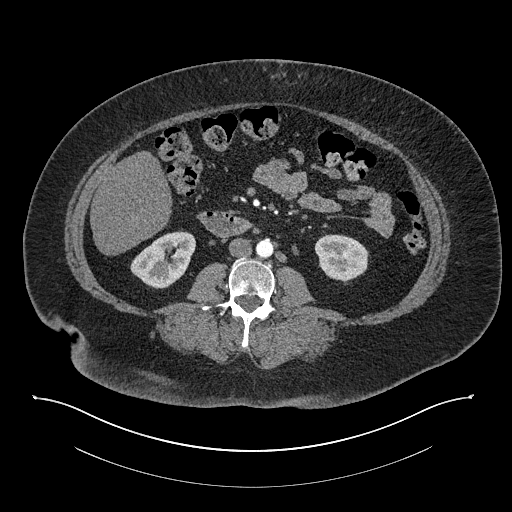
Arterial-phase contrast-enhanced abdominal CT, axial slice 384 of 673 (counted from the lowest slice); tube voltage 140 kVp, convolution kernel I30f; slices 1.00 mm thick, 0.957 mm per pixel.
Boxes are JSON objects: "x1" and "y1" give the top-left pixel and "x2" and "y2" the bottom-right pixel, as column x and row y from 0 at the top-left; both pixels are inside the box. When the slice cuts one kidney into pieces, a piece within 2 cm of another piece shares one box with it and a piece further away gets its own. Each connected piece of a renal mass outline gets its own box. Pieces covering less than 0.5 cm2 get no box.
Boxed on this slice (two kidney boxes), listed by box centre from the image's left to its right: (1) Right kidney at {"x1": 130, "y1": 231, "x2": 195, "y2": 288} (outlined area 2,560 px, about 23.4 cm2). (2) Left kidney, box {"x1": 314, "y1": 234, "x2": 368, "y2": 284} (outlined area 2,005 px, about 18.4 cm2). This slice carries no renal mass outline.